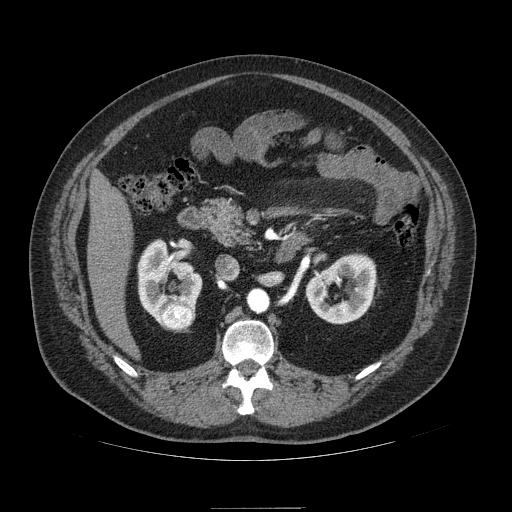
Axial slice 56 of 121 of a contrast-enhanced abdominal CT in the arterial phase (slice 1 is the lowest), 120 kVp, kernel STANDARD; 2.50 mm slice thickness and 0.861 mm pixels.
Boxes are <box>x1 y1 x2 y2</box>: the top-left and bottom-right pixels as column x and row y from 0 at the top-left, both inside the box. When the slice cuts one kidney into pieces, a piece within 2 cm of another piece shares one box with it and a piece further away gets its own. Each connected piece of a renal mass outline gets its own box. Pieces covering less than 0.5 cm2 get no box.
Three boxes on this slice (two kidney boxes and one renal mass box), listed by box centre from the image's left to its right. (1) Right kidney at <box>137 239 202 322</box> (outlined area 3,167 px, about 23.5 cm2). (2) Right renal mass at <box>159 299 195 331</box> (outlined area 969 px, about 7.2 cm2). (3) At <box>305 253 376 324</box>: left kidney (outlined area 3,399 px, about 25.2 cm2).